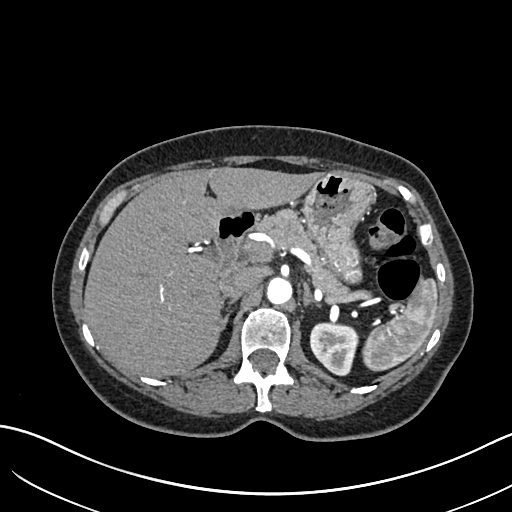
Abdominal CT with intravenous contrast, arterial phase, axial plane, 120 kVp, kernel I30f. Slice 457/683 from the bottom of the scan; thickness 1.00 mm; pixel size 0.738 mm.
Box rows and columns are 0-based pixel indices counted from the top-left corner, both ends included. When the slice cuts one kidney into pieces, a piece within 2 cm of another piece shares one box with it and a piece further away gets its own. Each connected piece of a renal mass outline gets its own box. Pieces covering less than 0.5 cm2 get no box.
Left kidney, box rows 323–376, columns 309–359 (outlined area 2,011 px, about 11.0 cm2). This slice carries no renal mass outline.